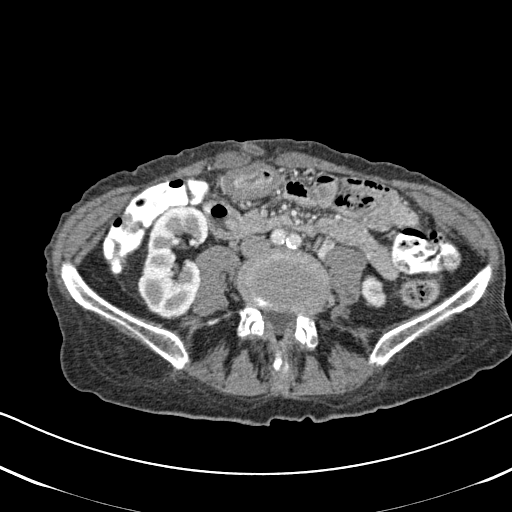
Abdominal CT with intravenous contrast, arterial phase, axial plane, 120 kVp, kernel B31f. Slice 238/620 from the bottom of the scan; thickness 2.00 mm; pixel size 0.637 mm.
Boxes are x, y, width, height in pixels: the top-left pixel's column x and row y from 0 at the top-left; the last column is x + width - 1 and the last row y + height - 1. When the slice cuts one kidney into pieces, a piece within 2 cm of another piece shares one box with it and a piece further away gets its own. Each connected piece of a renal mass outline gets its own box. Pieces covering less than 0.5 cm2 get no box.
Boxed on this slice (two kidney boxes), listed by box centre from the image's left to its right: (1) Right kidney at x 137, y 205, width 73, height 115 (outlined area 5,830 px, about 23.6 cm2). (2) Left kidney at x 361, y 275, width 26, height 34 (outlined area 654 px, about 2.7 cm2). No renal mass outline on this slice.